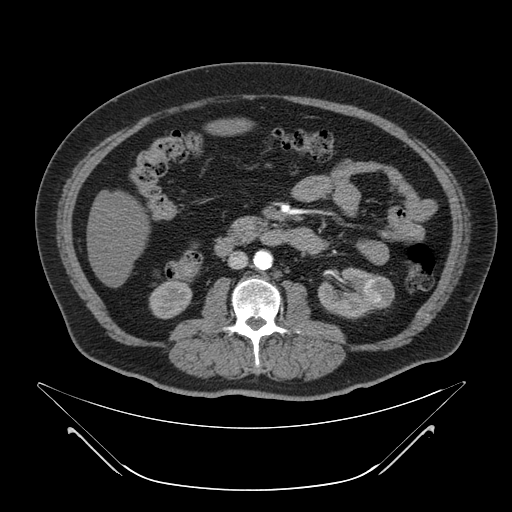
One axial slice (22 of 64, counting up from the lowest) of a contrast-enhanced abdominal CT acquired with 120 kVp, kernel B; each pixel is 0.977 mm and the slice is 4.00 mm thick.
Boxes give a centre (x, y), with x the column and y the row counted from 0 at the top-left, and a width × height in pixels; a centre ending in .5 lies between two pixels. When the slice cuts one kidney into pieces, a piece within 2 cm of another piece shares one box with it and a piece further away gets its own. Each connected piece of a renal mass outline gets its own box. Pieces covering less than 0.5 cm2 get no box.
Two kidney boxes and one renal mass box on this slice; by box centre, from the image's left to its right: (1) Right kidney in a box with centre (170.5, 299), 44 × 41 pixels (outlined area 1,304 px, about 12.4 cm2). (2) Left kidney in a box with centre (348.5, 293), 64 × 53 pixels (outlined area 2,205 px, about 21.0 cm2). (3) Box centre (379, 291.5), 31 × 34 pixels: left renal mass (outlined area 772 px, about 7.4 cm2).